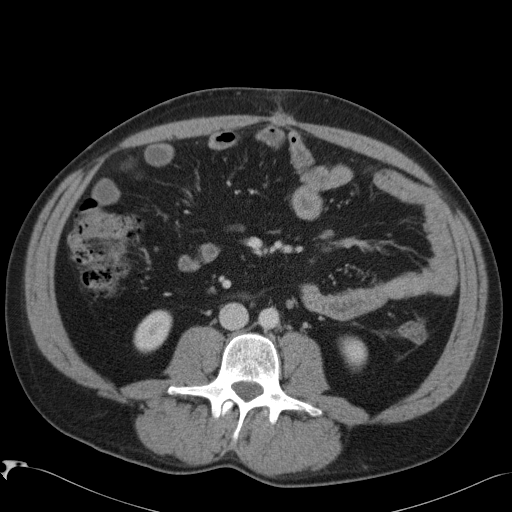
One axial slice (46 of 88, counting up from the lowest) of an arterial-phase abdominal CT acquired with 120 kVp, kernel B41f; each pixel is 0.723 mm and the slice is 5.00 mm thick.
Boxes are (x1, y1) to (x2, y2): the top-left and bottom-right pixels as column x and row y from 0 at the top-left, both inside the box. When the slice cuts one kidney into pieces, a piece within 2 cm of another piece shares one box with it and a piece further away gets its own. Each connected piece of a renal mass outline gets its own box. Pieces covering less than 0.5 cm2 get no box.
Boxed on this slice (two kidney boxes), listed by box centre from the image's left to its right: (1) Right kidney, box (133, 309) to (172, 352) (outlined area 1,207 px, about 6.3 cm2). (2) Left kidney, box (339, 336) to (367, 369) (outlined area 695 px, about 3.6 cm2). No renal mass outline on this slice.